Abdominal CT with intravenous contrast, arterial phase, axial plane, 120 kVp, kernel I30f. Slice 219/602 from the bottom of the scan; thickness 1.00 mm; pixel size 0.799 mm.
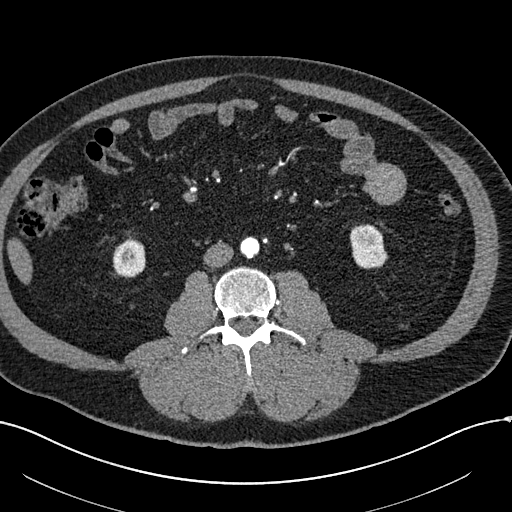
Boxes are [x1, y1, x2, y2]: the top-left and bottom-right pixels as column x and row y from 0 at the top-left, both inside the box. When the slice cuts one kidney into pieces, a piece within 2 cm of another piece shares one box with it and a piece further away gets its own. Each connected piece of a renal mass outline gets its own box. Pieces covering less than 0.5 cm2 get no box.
Boxed on this slice (two kidney boxes), listed by box centre from the image's left to its right: (1) Box [112, 235, 145, 278]: right kidney (outlined area 1,096 px, about 7.0 cm2). (2) Left kidney, box [350, 224, 388, 269] (outlined area 1,344 px, about 8.6 cm2). No renal mass is outlined on this slice.